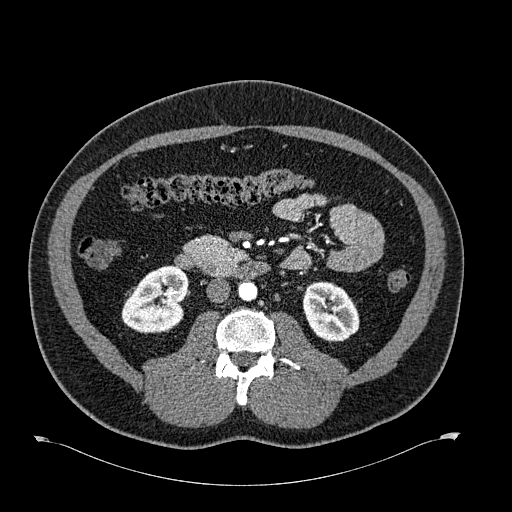
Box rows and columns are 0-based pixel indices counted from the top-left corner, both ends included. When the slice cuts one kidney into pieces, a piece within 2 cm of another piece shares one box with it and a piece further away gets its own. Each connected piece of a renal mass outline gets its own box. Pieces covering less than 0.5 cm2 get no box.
Arterial-phase contrast-enhanced abdominal CT, axial slice 325 of 723 (counted from the lowest slice); 1.00 mm thick, 0.895 mm per pixel. Boxed on this slice (two kidney boxes), listed by box centre from the image's left to its right: (1) Box rows 265–333, columns 121–188: right kidney (outlined area 3,379 px, about 27.0 cm2). (2) Box rows 281–342, columns 302–359: left kidney (outlined area 2,668 px, about 21.3 cm2).
Acquired at 120 kVp and reconstructed with the B30f kernel.